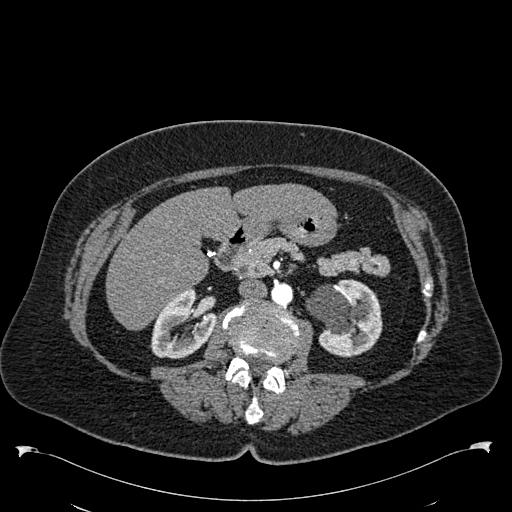
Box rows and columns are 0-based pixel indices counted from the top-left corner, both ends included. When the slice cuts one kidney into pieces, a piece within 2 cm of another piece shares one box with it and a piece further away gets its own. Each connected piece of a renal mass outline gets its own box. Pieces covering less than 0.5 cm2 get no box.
This is axial slice 321 of 538 (slice 1 is the lowest) of an arterial-phase abdominal CT with contrast; each pixel is 0.811 mm and the slice is 1.00 mm thick. Two kidney boxes on this slice; by box centre, from the image's left to its right: (1) Right kidney at rows 288–358, columns 150–216 (outlined area 3,088 px, about 20.3 cm2). (2) Left kidney at rows 279–357, columns 306–382 (outlined area 4,370 px, about 28.7 cm2). No renal mass outline on this slice.
Acquired at 120 kVp and reconstructed with the B30f kernel.